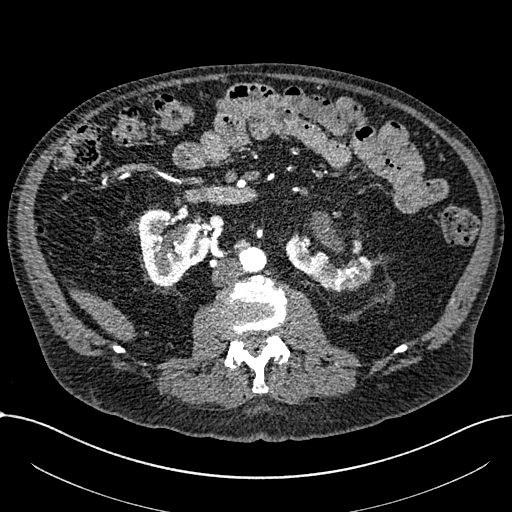
One axial slice (351 of 1059, counting up from the lowest) of an arterial-phase abdominal CT acquired with 100 kVp, kernel I30f; each pixel is 0.811 mm and the slice is 1.00 mm thick.
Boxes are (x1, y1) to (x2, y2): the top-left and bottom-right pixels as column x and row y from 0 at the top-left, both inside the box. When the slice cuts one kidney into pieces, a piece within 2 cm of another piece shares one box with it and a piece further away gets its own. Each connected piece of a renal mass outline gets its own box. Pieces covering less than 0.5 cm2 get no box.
Two boxes on this slice (two kidney boxes), listed by box centre from the image's left to its right. (1) Right part of the midline-crossing kidney, box (138, 209) to (209, 286) (outlined area 3,818 px, about 25.1 cm2). (2) Left part of the midline-crossing kidney, box (284, 234) to (373, 292) (outlined area 2,921 px, about 19.2 cm2). This slice carries no renal mass outline.